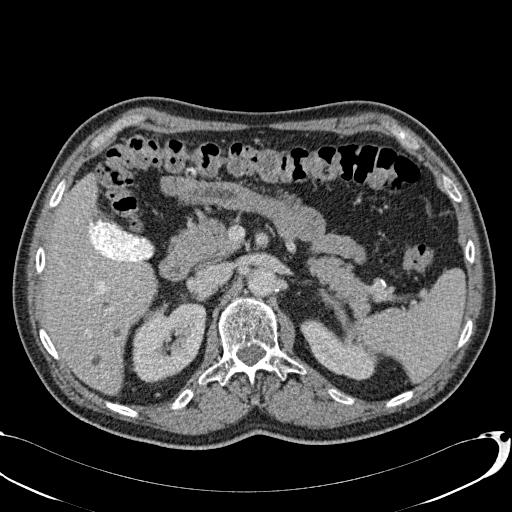
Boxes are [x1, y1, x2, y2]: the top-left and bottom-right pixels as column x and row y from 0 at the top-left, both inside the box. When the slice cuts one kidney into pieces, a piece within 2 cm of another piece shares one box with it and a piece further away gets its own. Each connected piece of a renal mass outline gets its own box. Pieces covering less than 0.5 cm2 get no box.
Slice 58/113 of a contrast-enhanced abdominal CT, counting up from the lowest; pixel size 0.742 mm, slice thickness 2.00 mm. Two boxes on this slice (two kidney boxes), listed by box centre from the image's left to its right. (1) Right kidney at [132, 303, 206, 382] (outlined area 4,387 px, about 24.2 cm2). (2) Left kidney, box [300, 319, 378, 380] (outlined area 2,588 px, about 14.3 cm2). No renal mass is outlined on this slice.
Tube voltage 120 kVp; convolution kernel B31f.